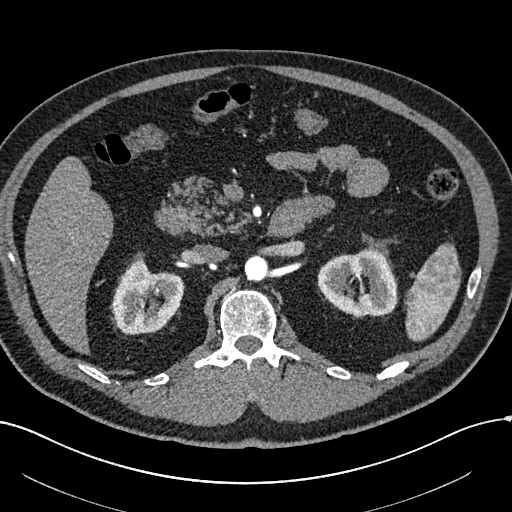
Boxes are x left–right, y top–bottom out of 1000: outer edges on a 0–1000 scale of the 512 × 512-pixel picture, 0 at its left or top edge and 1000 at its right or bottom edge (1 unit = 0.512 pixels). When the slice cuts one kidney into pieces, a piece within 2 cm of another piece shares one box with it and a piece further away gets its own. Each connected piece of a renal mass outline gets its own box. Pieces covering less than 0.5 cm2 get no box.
Slice 378/602 of a contrast-enhanced abdominal CT in the arterial phase, counting up from the lowest; pixel size 0.799 mm, slice thickness 1.00 mm. Boxed on this slice (two kidney boxes), listed by box centre from the image's left to its right: (1) Box x 217–359, y 502–654 out of 1000: right kidney (outlined area 3,937 px, about 25.1 cm2). (2) Left kidney at x 619–777, y 484–619 out of 1000 (outlined area 4,143 px, about 26.4 cm2). No renal mass outline on this slice.
Tube voltage 120 kVp; convolution kernel I30f.